Contrast-enhanced abdominal CT, axial slice 44 of 64 (counted from the lowest slice); tube voltage 120 kVp, convolution kernel B; slices 4.00 mm thick, 0.977 mm per pixel.
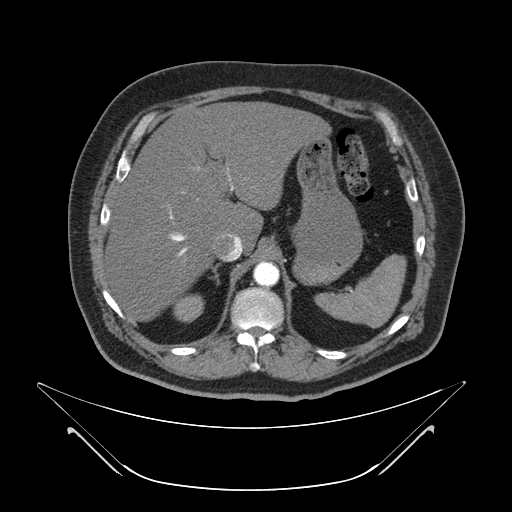
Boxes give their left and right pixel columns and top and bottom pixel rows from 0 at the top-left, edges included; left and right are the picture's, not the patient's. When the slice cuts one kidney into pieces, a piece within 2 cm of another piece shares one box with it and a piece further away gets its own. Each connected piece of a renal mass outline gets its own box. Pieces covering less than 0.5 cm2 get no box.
Box with left 173, top 294, right 204, bottom 322: right kidney (outlined area 698 px, about 6.7 cm2). This slice carries no renal mass outline.